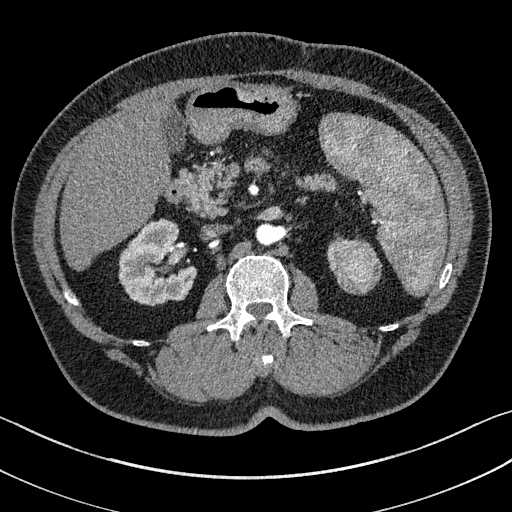
Arterial-phase contrast-enhanced abdominal CT, axial slice 92 of 195 (counted from the lowest slice); tube voltage 100 kVp, convolution kernel I31f; slices 1.50 mm thick, 0.707 mm per pixel.
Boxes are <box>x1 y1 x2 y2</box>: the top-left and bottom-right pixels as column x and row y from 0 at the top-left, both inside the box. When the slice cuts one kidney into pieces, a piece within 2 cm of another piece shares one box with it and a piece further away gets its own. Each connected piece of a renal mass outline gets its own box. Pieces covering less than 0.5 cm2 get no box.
Boxed on this slice (two kidney boxes and one renal mass box), listed by box centre from the image's left to its right: (1) Right kidney at <box>119 219 196 305</box> (outlined area 4,673 px, about 23.4 cm2). (2) At <box>327 237 359 270</box>: left kidney (outlined area 356 px, about 1.8 cm2). (3) Left renal mass at <box>333 240 380 293</box> (outlined area 1,946 px, about 9.7 cm2).